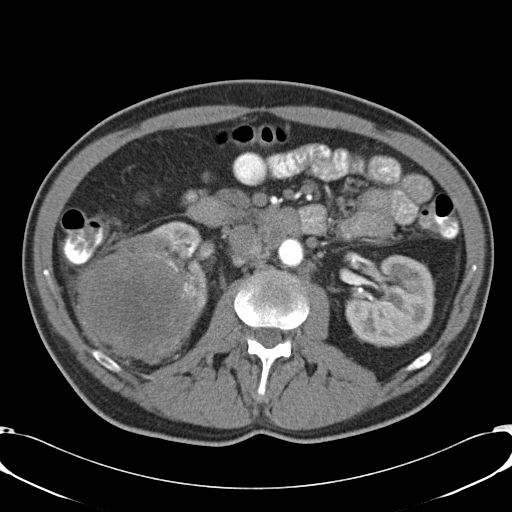
One axial slice (23 of 57, counting up from the lowest) of a contrast-enhanced abdominal CT acquired with 120 kVp, kernel B31f; each pixel is 0.732 mm and the slice is 5.00 mm thick.
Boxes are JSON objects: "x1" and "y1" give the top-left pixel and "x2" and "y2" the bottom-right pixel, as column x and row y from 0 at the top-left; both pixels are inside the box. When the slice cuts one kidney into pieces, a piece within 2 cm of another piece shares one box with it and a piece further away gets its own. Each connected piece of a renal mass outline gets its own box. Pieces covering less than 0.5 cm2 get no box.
Two kidney boxes and one renal mass box on this slice; by box centre, from the image's left to its right: (1) Right renal mass at {"x1": 80, "y1": 233, "x2": 203, "y2": 360} (outlined area 11,202 px, about 60.1 cm2). (2) Right kidney, box {"x1": 150, "y1": 221, "x2": 208, "y2": 308} (outlined area 2,049 px, about 11.0 cm2). (3) Box {"x1": 345, "y1": 254, "x2": 433, "y2": 346}: left kidney (outlined area 6,266 px, about 33.6 cm2).